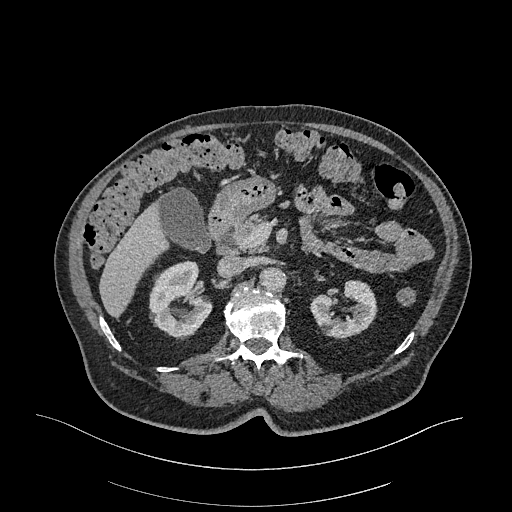
Axial slice 199 of 470 of a contrast-enhanced abdominal CT in the arterial phase (slice 1 is the lowest), 120 kVp, kernel I26f; 1.00 mm slice thickness and 0.938 mm pixels.
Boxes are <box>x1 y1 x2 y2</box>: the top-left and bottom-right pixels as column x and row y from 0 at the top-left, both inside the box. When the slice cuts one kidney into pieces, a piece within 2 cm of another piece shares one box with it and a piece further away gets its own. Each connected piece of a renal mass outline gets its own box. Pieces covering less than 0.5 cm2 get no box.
Boxed on this slice (two kidney boxes), listed by box centre from the image's left to its right: (1) Right kidney: <box>149 260 212 337</box> (outlined area 3,504 px, about 30.8 cm2). (2) Left kidney at <box>310 279 376 339</box> (outlined area 2,590 px, about 22.8 cm2). No renal mass is outlined on this slice.